One axial slice (394 of 683, counting up from the lowest) of an arterial-phase abdominal CT acquired with 120 kVp, kernel I30f; each pixel is 0.738 mm and the slice is 1.00 mm thick.
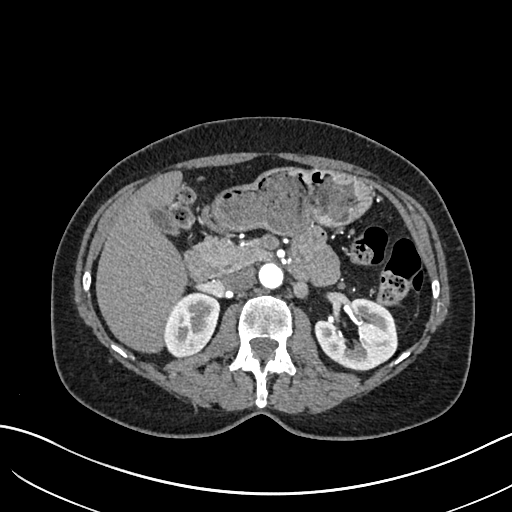
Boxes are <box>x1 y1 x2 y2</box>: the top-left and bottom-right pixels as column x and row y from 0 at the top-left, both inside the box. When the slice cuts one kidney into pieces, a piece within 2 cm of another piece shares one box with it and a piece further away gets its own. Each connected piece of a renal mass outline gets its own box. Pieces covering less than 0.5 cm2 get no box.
Two boxes on this slice (two kidney boxes), listed by box centre from the image's left to its right. (1) Right kidney: <box>163 292 220 357</box> (outlined area 2,809 px, about 15.3 cm2). (2) Left kidney: <box>315 297 397 368</box> (outlined area 4,039 px, about 22.0 cm2). No renal mass is outlined on this slice.